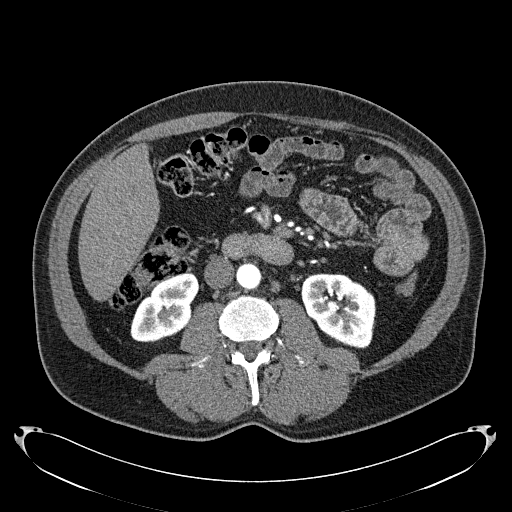
Abdominal CT with intravenous contrast, arterial phase, axial plane, 120 kVp, kernel B31f. Slice 96/279 from the bottom of the scan; thickness 2.00 mm; pixel size 0.824 mm.
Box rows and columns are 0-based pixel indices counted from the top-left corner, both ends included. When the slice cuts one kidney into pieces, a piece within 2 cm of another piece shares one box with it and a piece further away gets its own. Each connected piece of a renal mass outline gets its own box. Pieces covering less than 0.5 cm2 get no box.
Boxed on this slice (two kidney boxes), listed by box centre from the image's left to its right: (1) Right kidney at rows 271–342, columns 130–199 (outlined area 3,215 px, about 21.8 cm2). (2) Left kidney at rows 273–348, columns 300–375 (outlined area 4,236 px, about 28.8 cm2). No renal mass is outlined on this slice.